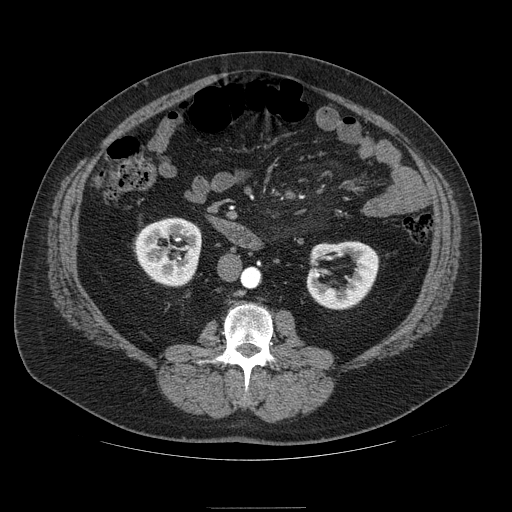
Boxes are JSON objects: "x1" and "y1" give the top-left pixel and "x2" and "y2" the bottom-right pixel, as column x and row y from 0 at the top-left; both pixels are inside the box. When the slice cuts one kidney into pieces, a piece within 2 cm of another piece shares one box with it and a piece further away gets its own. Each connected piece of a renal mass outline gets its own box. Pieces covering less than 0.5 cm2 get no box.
Slice 37/121 of a contrast-enhanced abdominal CT in the arterial phase, counting up from the lowest; pixel size 0.861 mm, slice thickness 2.50 mm. Boxed on this slice (two kidney boxes), listed by box centre from the image's left to its right: (1) Right kidney at {"x1": 134, "y1": 217, "x2": 201, "y2": 286} (outlined area 3,582 px, about 26.6 cm2). (2) Left kidney at {"x1": 307, "y1": 241, "x2": 378, "y2": 309} (outlined area 3,211 px, about 23.8 cm2). This slice carries no renal mass outline.
Tube voltage 120 kVp; convolution kernel STANDARD.